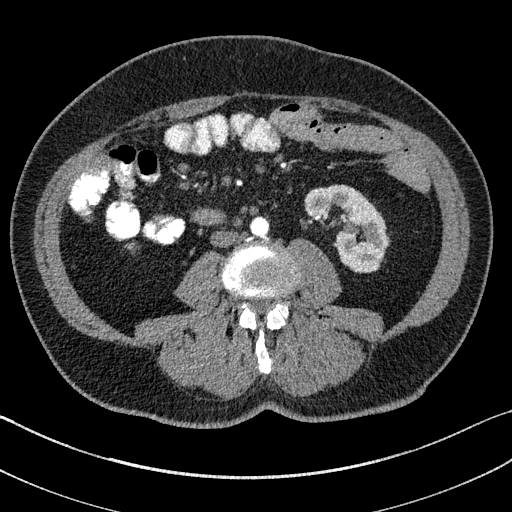
One axial slice (54 of 195, counting up from the lowest) of an arterial-phase abdominal CT acquired with 100 kVp, kernel I31f; each pixel is 0.707 mm and the slice is 1.50 mm thick.
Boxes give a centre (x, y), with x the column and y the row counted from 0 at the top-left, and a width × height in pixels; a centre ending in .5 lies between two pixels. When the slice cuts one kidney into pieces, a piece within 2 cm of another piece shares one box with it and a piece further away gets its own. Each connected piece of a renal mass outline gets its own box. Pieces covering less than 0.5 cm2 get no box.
Left kidney, box centre (347, 228.5), 85 × 88 pixels (outlined area 4,347 px, about 21.7 cm2). No renal mass outline on this slice.